One axial slice (59 of 101, counting up from the lowest) of a contrast-enhanced abdominal CT acquired with 100 kVp, kernel I40f; each pixel is 0.879 mm and the slice is 5.00 mm thick.
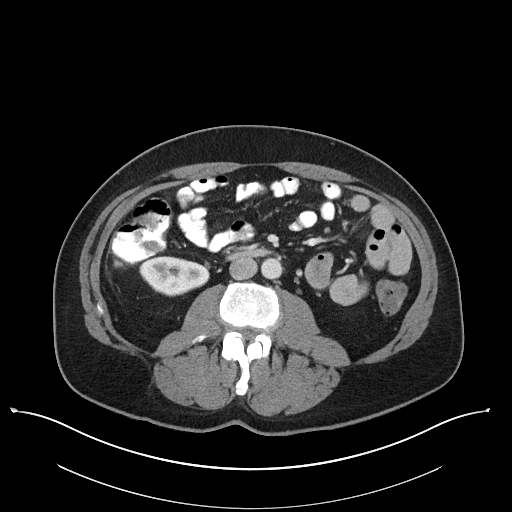
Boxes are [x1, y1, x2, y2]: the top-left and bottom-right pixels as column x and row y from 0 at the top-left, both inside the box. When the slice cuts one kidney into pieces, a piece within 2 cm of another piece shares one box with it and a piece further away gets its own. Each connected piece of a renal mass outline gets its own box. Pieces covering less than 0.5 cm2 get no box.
Right kidney, box [139, 256, 209, 296] (outlined area 2,076 px, about 16.0 cm2). No renal mass outline on this slice.